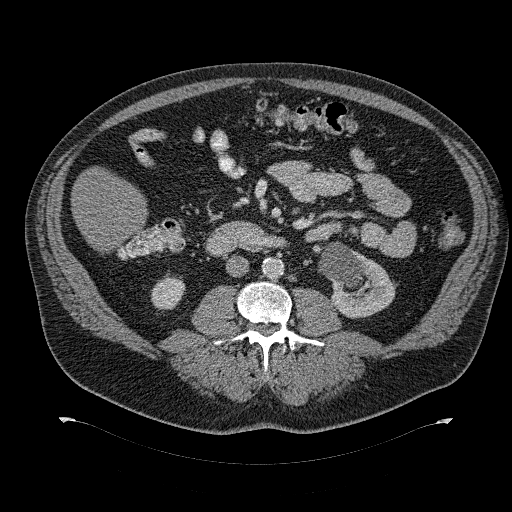
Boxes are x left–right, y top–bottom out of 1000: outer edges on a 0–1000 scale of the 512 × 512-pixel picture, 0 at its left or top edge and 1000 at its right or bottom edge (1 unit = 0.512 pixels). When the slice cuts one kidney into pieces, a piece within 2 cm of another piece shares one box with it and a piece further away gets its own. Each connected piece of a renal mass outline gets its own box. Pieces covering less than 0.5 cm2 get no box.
This is axial slice 163 of 274 (slice 1 is the lowest) of an abdominal CT with contrast; each pixel is 0.977 mm and the slice is 2.00 mm thick. Boxed on this slice (two kidney boxes), listed by box centre from the image's left to its right: (1) Right kidney at x 295–363, y 531–607 out of 1000 (outlined area 936 px, about 8.9 cm2). (2) Left kidney, box x 621–777, y 473–623 out of 1000 (outlined area 3,854 px, about 36.8 cm2). No renal mass is outlined on this slice.
Tube voltage 120 kVp; convolution kernel B31f.